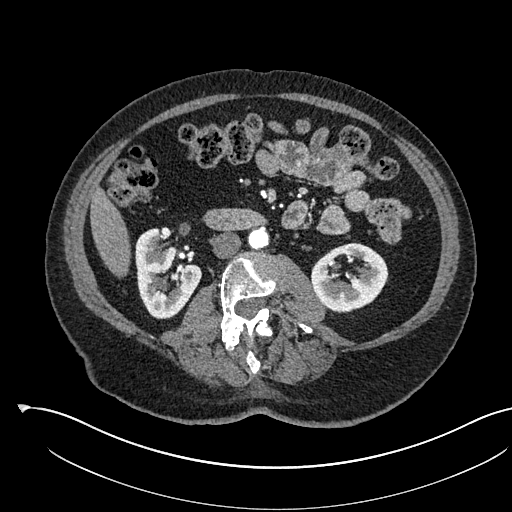
One axial slice (282 of 541, counting up from the lowest) of an arterial-phase abdominal CT acquired with 120 kVp, kernel I30f; each pixel is 0.834 mm and the slice is 1.00 mm thick.
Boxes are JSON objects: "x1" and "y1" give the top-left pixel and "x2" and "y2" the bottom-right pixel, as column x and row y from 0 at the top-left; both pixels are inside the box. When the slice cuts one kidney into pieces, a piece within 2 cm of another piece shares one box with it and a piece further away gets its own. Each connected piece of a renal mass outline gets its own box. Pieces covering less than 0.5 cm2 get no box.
Two kidney boxes on this slice; by box centre, from the image's left to its right: (1) Box {"x1": 135, "y1": 227, "x2": 201, "y2": 319}: right kidney (outlined area 4,081 px, about 28.4 cm2). (2) Box {"x1": 311, "y1": 242, "x2": 388, "y2": 312}: left kidney (outlined area 3,819 px, about 26.6 cm2). No renal mass is outlined on this slice.